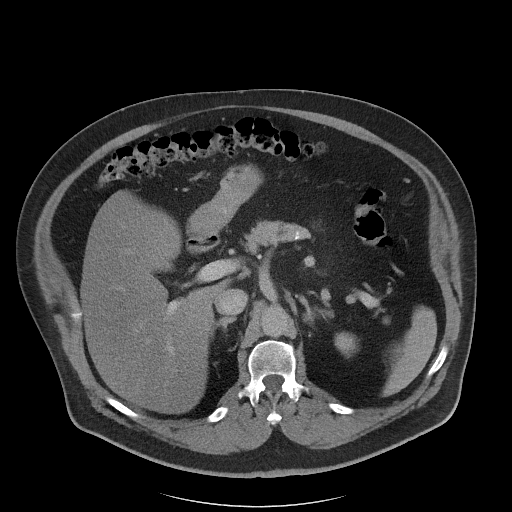
Axial slice 72 of 102 of a contrast-enhanced abdominal CT (slice 1 is the lowest), 120 kVp, kernel I40f; 5.00 mm slice thickness and 0.977 mm pixels.
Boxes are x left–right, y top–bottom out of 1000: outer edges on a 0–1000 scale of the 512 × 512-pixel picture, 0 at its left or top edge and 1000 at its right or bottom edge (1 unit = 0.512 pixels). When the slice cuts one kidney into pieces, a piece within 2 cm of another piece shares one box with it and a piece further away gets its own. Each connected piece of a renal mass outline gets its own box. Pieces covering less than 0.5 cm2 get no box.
Left kidney, box x 652–697, y 648–699 out of 1000 (outlined area 435 px, about 4.1 cm2). This slice carries no renal mass outline.